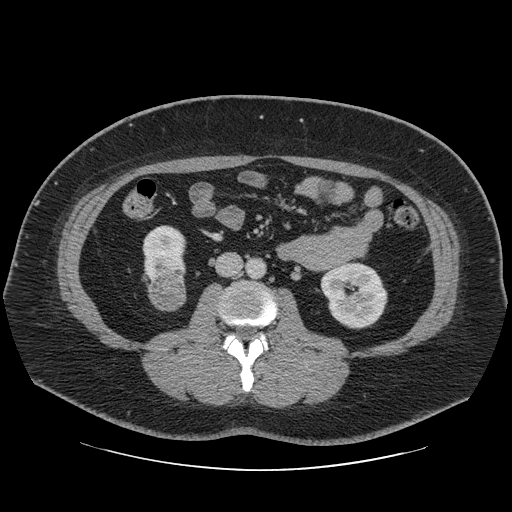
One axial slice (19 of 69, counting up from the lowest) of an arterial-phase abdominal CT acquired with 120 kVp, kernel STANDARD; each pixel is 0.846 mm and the slice is 2.50 mm thick.
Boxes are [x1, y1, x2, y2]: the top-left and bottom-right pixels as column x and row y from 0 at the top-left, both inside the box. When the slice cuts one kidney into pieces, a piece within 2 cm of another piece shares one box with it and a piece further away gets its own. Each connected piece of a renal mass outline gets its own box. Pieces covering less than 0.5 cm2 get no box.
Two kidney boxes and one renal mass box on this slice; by box centre, from the image's left to its right: (1) Right kidney, box [142, 225, 186, 283] (outlined area 1,935 px, about 13.8 cm2). (2) Right renal mass at [148, 272, 186, 311] (outlined area 1,227 px, about 8.8 cm2). (3) Box [320, 262, 387, 329]: left kidney (outlined area 3,384 px, about 24.2 cm2).